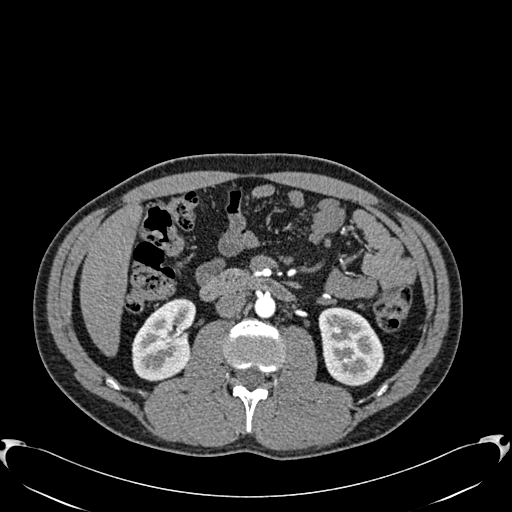
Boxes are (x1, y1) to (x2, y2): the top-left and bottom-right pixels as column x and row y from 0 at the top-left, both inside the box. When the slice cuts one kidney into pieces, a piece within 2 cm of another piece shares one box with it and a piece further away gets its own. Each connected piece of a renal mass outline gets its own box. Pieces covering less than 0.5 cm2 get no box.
Arterial-phase contrast-enhanced abdominal CT, axial slice 323 of 512 (counted from the lowest slice); 1.00 mm thick, 0.771 mm per pixel. Two kidney boxes on this slice; by box centre, from the image's left to its right: (1) Box (131, 298) to (195, 380): right kidney (outlined area 3,908 px, about 23.3 cm2). (2) Box (318, 306) to (384, 386): left kidney (outlined area 3,961 px, about 23.6 cm2). No renal mass outline on this slice.
Tube voltage 120 kVp; convolution kernel B30f.